Contrast-enhanced abdominal CT, axial slice 319 of 734 (counted from the lowest slice); tube voltage 120 kVp, convolution kernel B31f; slices 2.00 mm thick, 0.971 mm per pixel.
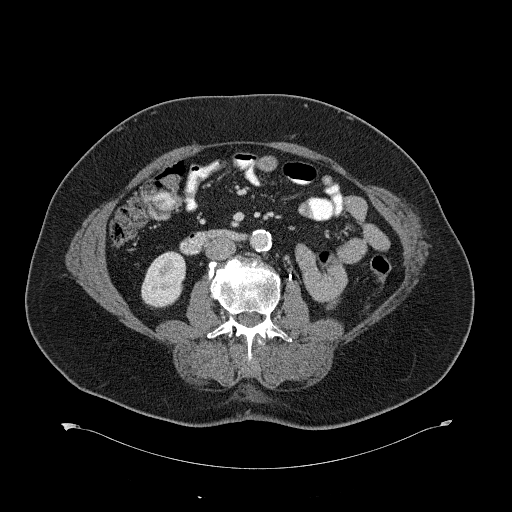
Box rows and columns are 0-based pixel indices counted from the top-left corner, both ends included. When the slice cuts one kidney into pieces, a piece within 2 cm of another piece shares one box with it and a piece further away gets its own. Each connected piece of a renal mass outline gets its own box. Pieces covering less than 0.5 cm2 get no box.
Box rows 251–308, columns 141–186: right kidney (outlined area 1,972 px, about 18.6 cm2). No renal mass outline on this slice.